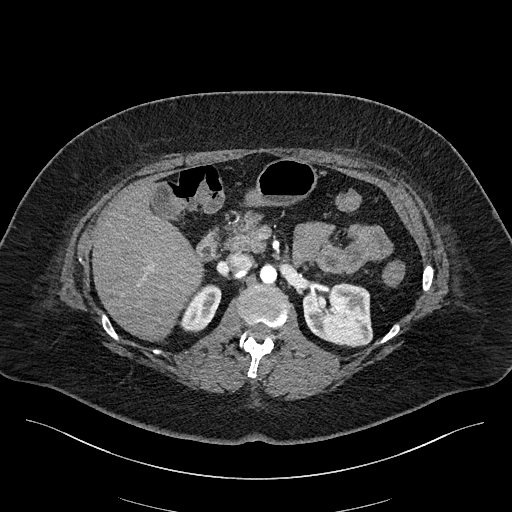
Axial slice 124 of 270 of a contrast-enhanced abdominal CT in the arterial phase (slice 1 is the lowest), 100 kVp, kernel I40f; 2.00 mm slice thickness and 0.855 mm pixels.
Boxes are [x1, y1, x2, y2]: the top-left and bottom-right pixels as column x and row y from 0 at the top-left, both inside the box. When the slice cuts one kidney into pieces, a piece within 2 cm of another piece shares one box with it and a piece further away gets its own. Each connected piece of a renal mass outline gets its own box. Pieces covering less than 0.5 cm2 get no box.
Two boxes on this slice (two kidney boxes), listed by box centre from the image's left to its right. (1) Right kidney at [180, 284, 221, 332] (outlined area 1,284 px, about 9.4 cm2). (2) Box [302, 282, 372, 347]: left kidney (outlined area 3,622 px, about 26.5 cm2). No renal mass is outlined on this slice.